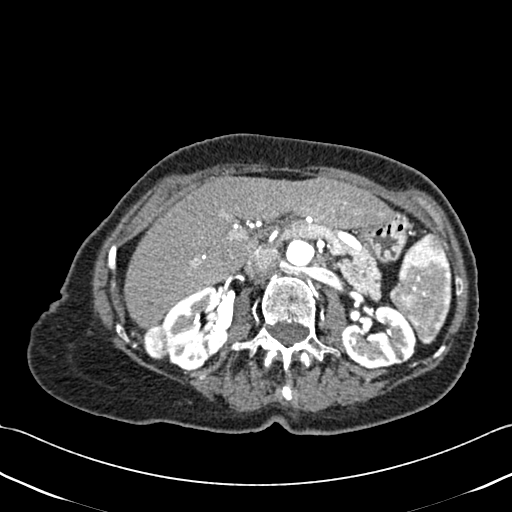
Abdominal CT with intravenous contrast, axial plane, 120 kVp, kernel B30f. Slice 259/433 from the bottom of the scan; thickness 1.00 mm; pixel size 0.672 mm.
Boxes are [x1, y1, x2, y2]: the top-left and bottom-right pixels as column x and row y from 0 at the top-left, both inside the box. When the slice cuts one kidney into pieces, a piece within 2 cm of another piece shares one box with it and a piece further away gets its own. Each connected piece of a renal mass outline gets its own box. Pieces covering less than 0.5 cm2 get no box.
Boxed on this slice (two kidney boxes and one renal mass box), listed by box centre from the image's left to its right: (1) Right renal mass at [143, 323, 168, 359] (outlined area 730 px, about 3.3 cm2). (2) Right kidney at [159, 287, 228, 371] (outlined area 3,939 px, about 17.8 cm2). (3) Left kidney at [341, 304, 416, 370] (outlined area 3,555 px, about 16.0 cm2).